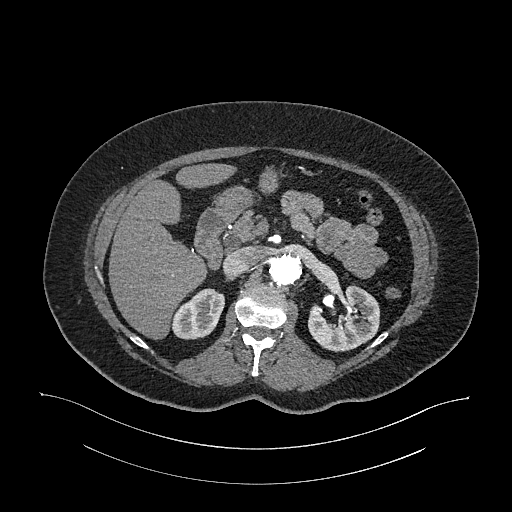
Axial slice 704 of 987 of a contrast-enhanced abdominal CT in the arterial phase (slice 1 is the lowest), 120 kVp, kernel I26f; 1.00 mm slice thickness and 0.977 mm pixels.
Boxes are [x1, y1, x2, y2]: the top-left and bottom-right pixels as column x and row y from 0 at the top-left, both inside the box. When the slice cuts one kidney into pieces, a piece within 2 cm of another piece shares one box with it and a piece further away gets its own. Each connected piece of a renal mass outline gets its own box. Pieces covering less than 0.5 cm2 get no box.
Two kidney boxes on this slice; by box centre, from the image's left to its right: (1) Right kidney at [171, 288, 224, 339] (outlined area 1,958 px, about 18.7 cm2). (2) Left kidney, box [308, 285, 380, 351] (outlined area 3,367 px, about 32.1 cm2). No renal mass is outlined on this slice.